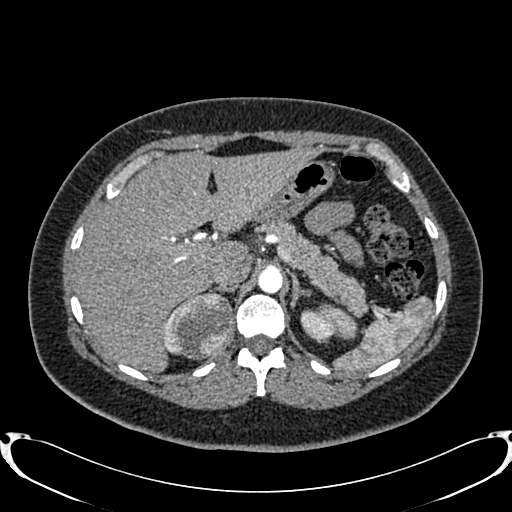
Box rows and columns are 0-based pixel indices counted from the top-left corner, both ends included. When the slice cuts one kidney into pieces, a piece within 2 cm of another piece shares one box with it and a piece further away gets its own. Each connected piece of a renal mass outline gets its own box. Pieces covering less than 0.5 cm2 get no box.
This is axial slice 589 of 719 (slice 1 is the lowest) of an arterial-phase abdominal CT with contrast; each pixel is 0.766 mm and the slice is 1.00 mm thick. Two kidney boxes and one renal mass box on this slice; by box centre, from the image's left to its right: (1) Right kidney, box rows 315–354, columns 163–175 (outlined area 152 px, about 0.9 cm2). (2) Box rows 291–360, columns 166–234: right renal mass (outlined area 3,581 px, about 21.0 cm2). (3) Left kidney, box rows 309–341, columns 300–334 (outlined area 832 px, about 4.9 cm2).
Acquired at 120 kVp and reconstructed with the B20f kernel.